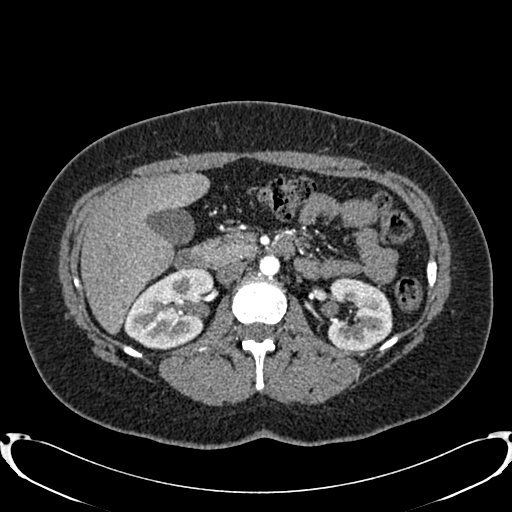
Abdominal CT with intravenous contrast, arterial phase, axial plane, 120 kVp, kernel B20f. Slice 479/719 from the bottom of the scan; thickness 1.00 mm; pixel size 0.766 mm.
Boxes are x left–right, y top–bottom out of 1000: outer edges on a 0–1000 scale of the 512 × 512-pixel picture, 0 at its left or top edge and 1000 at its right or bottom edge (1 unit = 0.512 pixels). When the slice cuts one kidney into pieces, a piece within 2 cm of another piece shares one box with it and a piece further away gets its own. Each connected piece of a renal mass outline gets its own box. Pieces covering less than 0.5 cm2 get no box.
Boxed on this slice (two kidney boxes), listed by box centre from the image's left to its right: (1) Right kidney at x 240–420, y 523–684 out of 1000 (outlined area 5,313 px, about 31.1 cm2). (2) Left kidney, box x 639–768, y 541–688 out of 1000 (outlined area 3,760 px, about 22.0 cm2). This slice carries no renal mass outline.